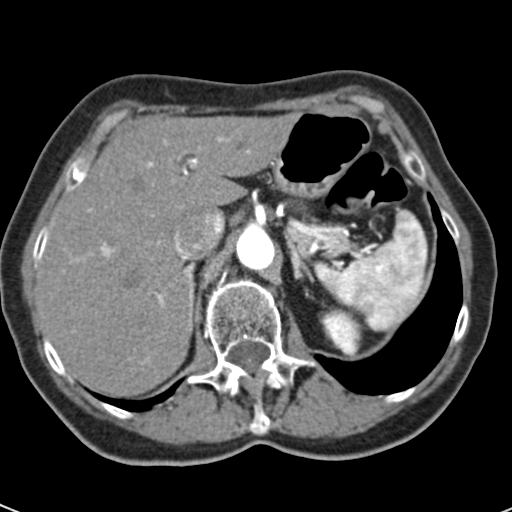
Axial slice 47 of 53 of a contrast-enhanced abdominal CT in the arterial phase (slice 1 is the lowest), 120 kVp, kernel B30f; 3.00 mm slice thickness and 0.547 mm pixels.
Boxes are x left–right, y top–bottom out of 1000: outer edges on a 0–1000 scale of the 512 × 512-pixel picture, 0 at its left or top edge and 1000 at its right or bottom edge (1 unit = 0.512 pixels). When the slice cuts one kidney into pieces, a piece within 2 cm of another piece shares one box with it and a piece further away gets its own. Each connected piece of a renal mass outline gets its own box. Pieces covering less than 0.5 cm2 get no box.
Box x 623–711, y 602–697 out of 1000: left kidney (outlined area 1,480 px, about 4.4 cm2). No renal mass is outlined on this slice.